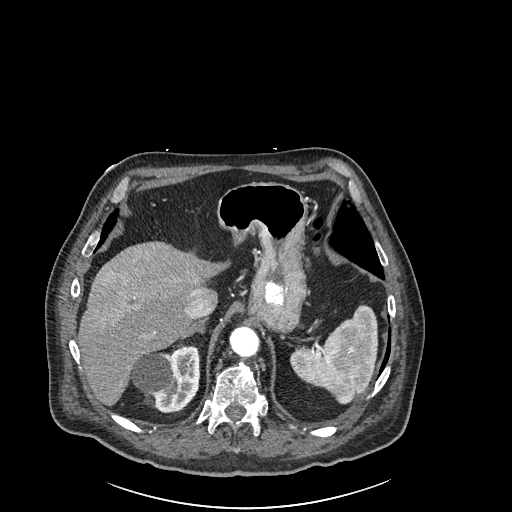
Axial slice 190 of 261 of a contrast-enhanced abdominal CT in the arterial phase (slice 1 is the lowest), 120 kVp, kernel I30f; 2.00 mm slice thickness and 0.939 mm pixels.
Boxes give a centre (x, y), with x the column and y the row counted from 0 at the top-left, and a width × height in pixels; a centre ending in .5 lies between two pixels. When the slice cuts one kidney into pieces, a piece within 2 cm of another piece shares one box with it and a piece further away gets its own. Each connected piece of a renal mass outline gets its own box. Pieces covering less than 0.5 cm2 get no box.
Box centre (164.5, 379), 70 × 69 pixels: right kidney (outlined area 3,366 px, about 29.7 cm2). No renal mass is outlined on this slice.